Axial slice 408 of 705 of a contrast-enhanced abdominal CT in the arterial phase (slice 1 is the lowest), 120 kVp, kernel I30f; 1.00 mm slice thickness and 0.703 mm pixels.
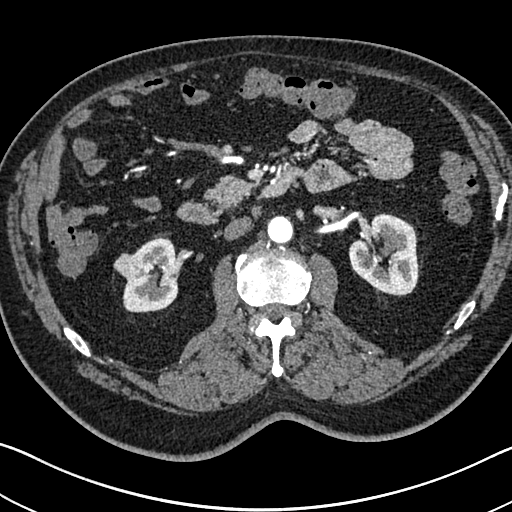
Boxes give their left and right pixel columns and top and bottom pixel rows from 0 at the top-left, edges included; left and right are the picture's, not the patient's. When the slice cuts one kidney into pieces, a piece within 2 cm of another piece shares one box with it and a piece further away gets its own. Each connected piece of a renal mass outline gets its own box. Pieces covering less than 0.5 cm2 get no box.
Two kidney boxes and one renal mass box on this slice; by box centre, from the image's left to its right: (1) Right renal mass in the box with left 113, top 253, right 144, bottom 279 (outlined area 619 px, about 3.1 cm2). (2) Right kidney, the box with left 122, top 236, right 178, bottom 312 (outlined area 3,029 px, about 15.0 cm2). (3) Left kidney in the box with left 348, top 213, right 420, bottom 296 (outlined area 4,334 px, about 21.4 cm2).